One axial slice (154 of 326, counting up from the lowest) of an arterial-phase abdominal CT acquired with 120 kVp, kernel B31f; each pixel is 0.963 mm and the slice is 2.00 mm thick.
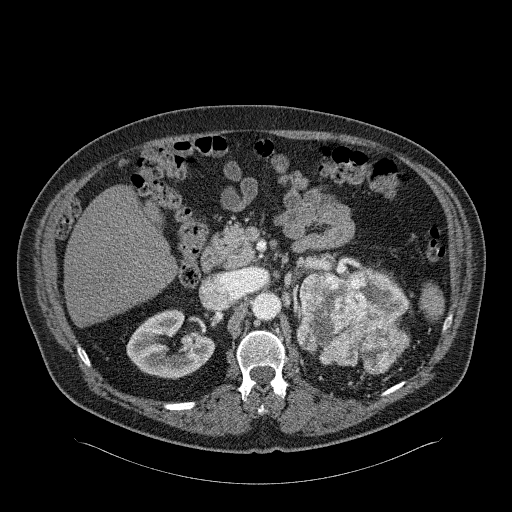
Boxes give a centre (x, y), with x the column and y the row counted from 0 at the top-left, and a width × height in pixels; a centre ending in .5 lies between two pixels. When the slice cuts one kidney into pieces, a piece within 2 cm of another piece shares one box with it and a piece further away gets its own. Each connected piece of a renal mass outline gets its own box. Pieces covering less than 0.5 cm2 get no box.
Two kidney boxes and one renal mass box on this slice; by box centre, from the image's left to its right: (1) Right kidney in a box with centre (170, 344), 89 × 71 pixels (outlined area 3,979 px, about 36.9 cm2). (2) Left renal mass in a box with centre (352.5, 321.5), 114 × 106 pixels (outlined area 7,936 px, about 73.6 cm2). (3) Box centre (384, 293.5), 49 × 50 pixels: left kidney (outlined area 1,445 px, about 13.4 cm2).